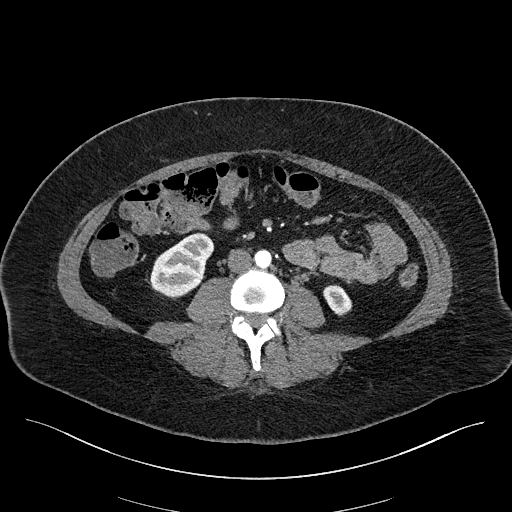
One axial slice (59 of 270, counting up from the lowest) of an arterial-phase abdominal CT acquired with 100 kVp, kernel I40f; each pixel is 0.855 mm and the slice is 2.00 mm thick.
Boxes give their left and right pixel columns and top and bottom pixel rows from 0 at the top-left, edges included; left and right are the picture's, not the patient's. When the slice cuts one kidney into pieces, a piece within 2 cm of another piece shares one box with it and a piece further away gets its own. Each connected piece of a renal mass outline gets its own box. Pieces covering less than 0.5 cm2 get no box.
Two boxes on this slice (two kidney boxes), listed by box centre from the image's left to its right. (1) Right kidney in the box with left 149, top 232, right 214, bottom 299 (outlined area 2,819 px, about 20.6 cm2). (2) Left kidney, the box with left 323, top 285, right 352, bottom 315 (outlined area 643 px, about 4.7 cm2). No renal mass outline on this slice.